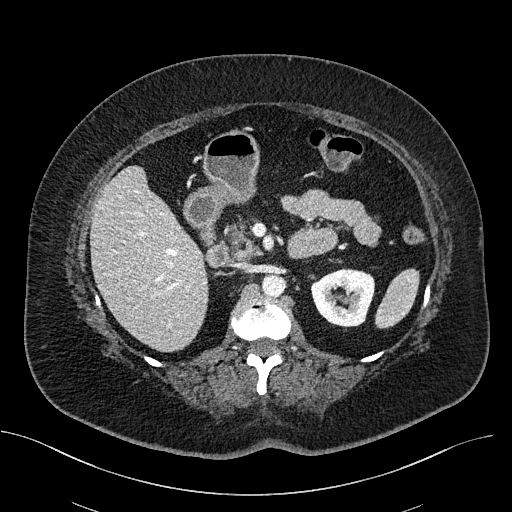
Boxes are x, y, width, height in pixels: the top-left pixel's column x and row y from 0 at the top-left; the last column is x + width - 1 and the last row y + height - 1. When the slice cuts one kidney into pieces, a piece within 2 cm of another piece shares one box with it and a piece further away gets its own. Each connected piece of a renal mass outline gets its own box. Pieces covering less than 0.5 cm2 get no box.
This is axial slice 320 of 470 (slice 1 is the lowest) of an abdominal CT with contrast; each pixel is 0.824 mm and the slice is 2.00 mm thick. Left kidney, box x 310, y 268, width 66, height 59 (outlined area 2,915 px, about 19.8 cm2). No renal mass outline on this slice.
Tube voltage 100 kVp; convolution kernel I40f.